Contrast-enhanced abdominal CT, axial slice 61 of 76 (counted from the lowest slice); tube voltage 120 kVp, convolution kernel STANDARD; slices 2.50 mm thick, 0.586 mm per pixel.
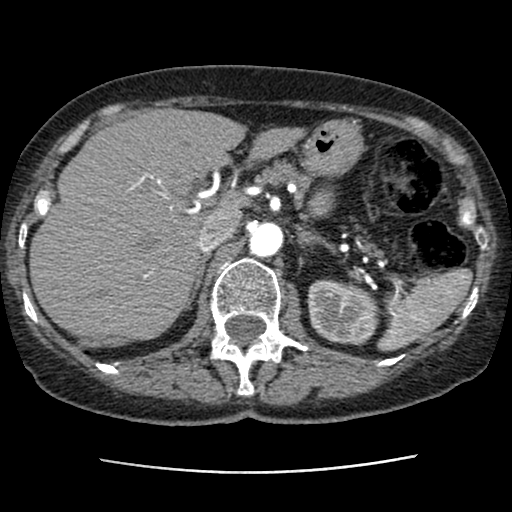
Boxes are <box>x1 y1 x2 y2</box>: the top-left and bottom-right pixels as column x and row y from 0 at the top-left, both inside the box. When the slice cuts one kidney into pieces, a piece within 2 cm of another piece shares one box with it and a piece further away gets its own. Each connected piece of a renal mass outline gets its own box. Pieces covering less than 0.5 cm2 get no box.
Left kidney: <box>306 279 380 345</box> (outlined area 3,805 px, about 13.1 cm2). No renal mass outline on this slice.